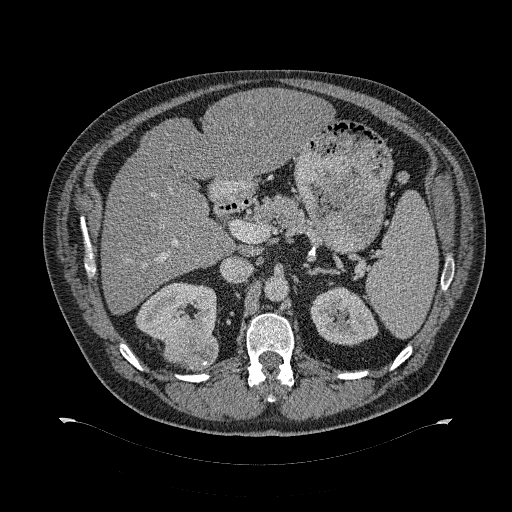
Axial slice 205 of 274 of a contrast-enhanced abdominal CT (slice 1 is the lowest), 120 kVp, kernel B31f; 2.00 mm slice thickness and 0.977 mm pixels.
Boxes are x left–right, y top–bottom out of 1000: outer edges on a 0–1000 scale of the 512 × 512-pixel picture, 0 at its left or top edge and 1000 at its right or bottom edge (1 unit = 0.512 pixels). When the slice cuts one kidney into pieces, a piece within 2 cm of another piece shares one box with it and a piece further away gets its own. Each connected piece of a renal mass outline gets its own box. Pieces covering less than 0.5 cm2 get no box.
Boxed on this slice (two kidney boxes and one renal mass box), listed by box centre from the image's left to its right: (1) Right kidney at x 264–424, y 551–668 out of 1000 (outlined area 3,191 px, about 30.4 cm2). (2) Right renal mass at x 318–428, y 631–725 out of 1000 (outlined area 2,066 px, about 19.7 cm2). (3) Left kidney at x 605–740, y 559–678 out of 1000 (outlined area 2,951 px, about 28.1 cm2).